Abdominal CT with intravenous contrast, arterial phase, axial plane, 120 kVp, kernel B31f. Slice 300/620 from the bottom of the scan; thickness 2.00 mm; pixel size 0.637 mm.
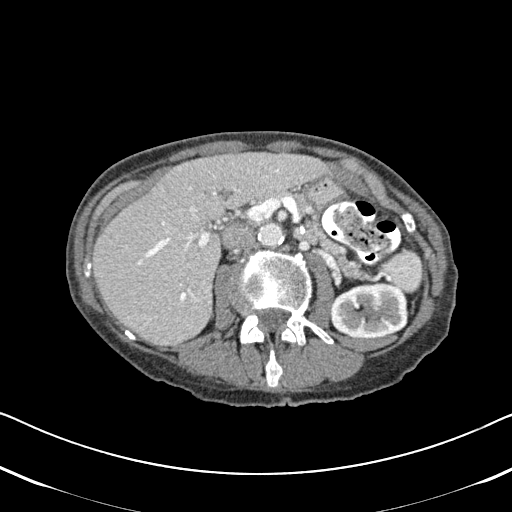
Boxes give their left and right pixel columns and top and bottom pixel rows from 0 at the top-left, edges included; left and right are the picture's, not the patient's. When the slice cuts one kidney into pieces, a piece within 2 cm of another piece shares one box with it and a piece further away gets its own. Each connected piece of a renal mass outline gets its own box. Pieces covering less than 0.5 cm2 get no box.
Left kidney, the box with left 329, top 282, right 409, bottom 338 (outlined area 3,714 px, about 15.1 cm2). No renal mass is outlined on this slice.